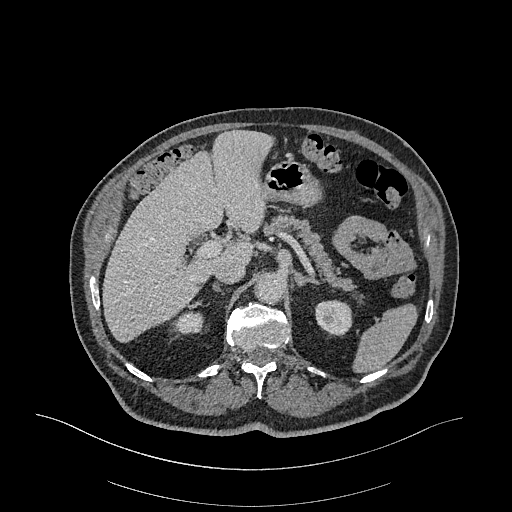
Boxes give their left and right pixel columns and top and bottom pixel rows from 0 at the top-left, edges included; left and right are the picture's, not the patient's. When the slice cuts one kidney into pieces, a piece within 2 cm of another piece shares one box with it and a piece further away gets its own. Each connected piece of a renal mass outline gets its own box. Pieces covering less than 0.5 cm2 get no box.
Arterial-phase contrast-enhanced abdominal CT, axial slice 245 of 470 (counted from the lowest slice); 1.00 mm thick, 0.938 mm per pixel. Boxed on this slice (two kidney boxes), listed by box centre from the image's left to its right: (1) Right kidney in the box with left 176, top 312, right 203, bottom 332 (outlined area 488 px, about 4.3 cm2). (2) Left kidney in the box with left 315, top 300, right 352, bottom 336 (outlined area 1,117 px, about 9.8 cm2). This slice carries no renal mass outline.
Acquired at 120 kVp and reconstructed with the I26f kernel.